Abdominal CT with intravenous contrast, arterial phase, axial plane, 120 kVp, kernel I30f. Slice 356/673 from the bottom of the scan; thickness 1.00 mm; pixel size 0.855 mm.
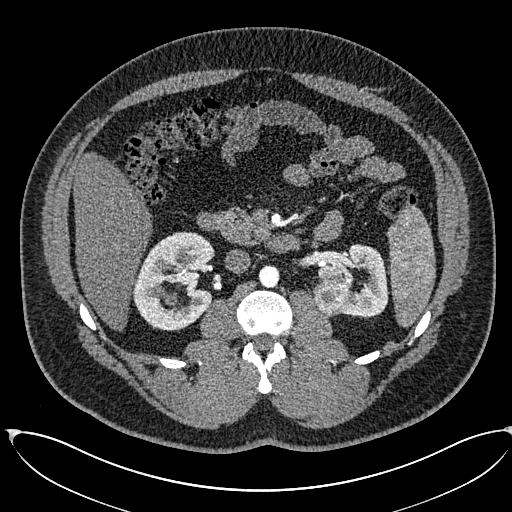
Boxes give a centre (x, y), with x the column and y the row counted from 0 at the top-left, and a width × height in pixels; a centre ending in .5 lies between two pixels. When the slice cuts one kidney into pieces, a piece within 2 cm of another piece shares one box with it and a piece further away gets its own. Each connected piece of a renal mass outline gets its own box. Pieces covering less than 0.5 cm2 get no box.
Three boxes on this slice (two kidney boxes and one renal mass box), listed by box centre from the image's left to its right. (1) Right kidney, box centre (174, 280.5), 83 × 100 pixels (outlined area 5,880 px, about 43.0 cm2). (2) Box centre (333, 297), 41 × 39 pixels: left renal mass (outlined area 1,242 px, about 9.1 cm2). (3) Left kidney in a box with centre (353, 280), 71 × 73 pixels (outlined area 2,952 px, about 21.6 cm2).